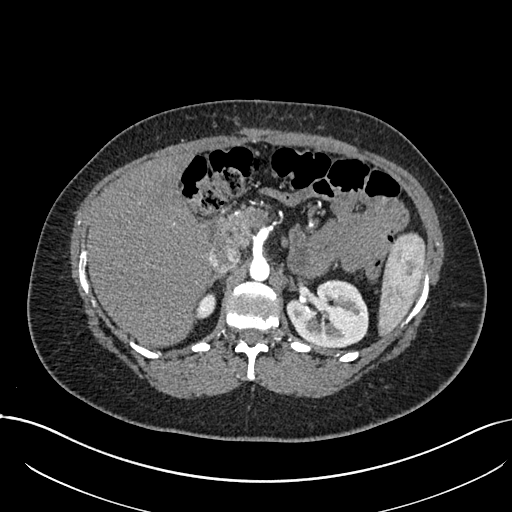
Arterial-phase contrast-enhanced abdominal CT, axial slice 494 of 738 (counted from the lowest slice); tube voltage 120 kVp, convolution kernel I30f; slices 1.00 mm thick, 0.789 mm per pixel.
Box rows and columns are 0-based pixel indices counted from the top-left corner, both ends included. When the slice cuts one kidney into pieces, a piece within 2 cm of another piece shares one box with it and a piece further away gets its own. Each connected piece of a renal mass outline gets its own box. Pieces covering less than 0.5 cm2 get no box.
Two kidney boxes on this slice; by box centre, from the image's left to its right: (1) Box rows 292–319, columns 194–215: right kidney (outlined area 413 px, about 2.6 cm2). (2) Left kidney at rows 279–346, columns 286–368 (outlined area 4,237 px, about 26.4 cm2). This slice carries no renal mass outline.